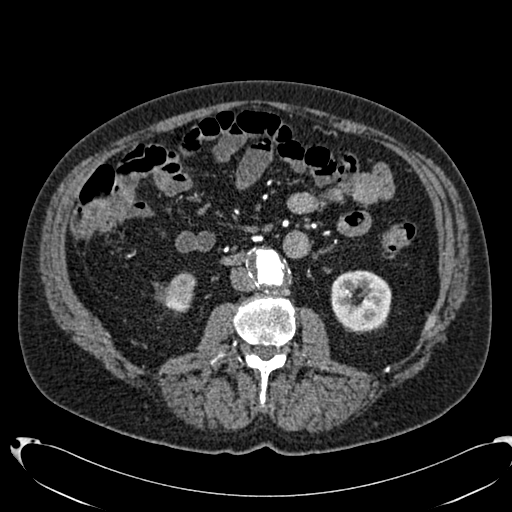
One axial slice (358 of 553, counting up from the lowest) of an arterial-phase abdominal CT acquired with 120 kVp, kernel B20f; each pixel is 0.773 mm and the slice is 1.00 mm thick.
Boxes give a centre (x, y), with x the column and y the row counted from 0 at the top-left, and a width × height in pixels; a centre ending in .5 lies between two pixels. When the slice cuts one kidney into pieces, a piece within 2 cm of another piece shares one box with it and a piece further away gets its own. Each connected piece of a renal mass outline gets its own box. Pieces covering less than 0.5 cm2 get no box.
Two boxes on this slice (two kidney boxes), listed by box centre from the image's left to its right. (1) Box centre (179.5, 292), 34 × 41 pixels: right kidney (outlined area 1,005 px, about 6.0 cm2). (2) Box centre (361, 300.5), 61 × 62 pixels: left kidney (outlined area 2,974 px, about 17.8 cm2). This slice carries no renal mass outline.